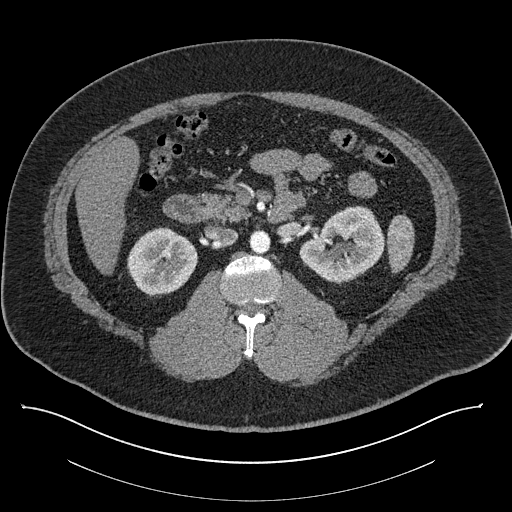
Axial slice 500 of 787 of a contrast-enhanced abdominal CT (slice 1 is the lowest), 140 kVp, kernel I30f; 1.00 mm slice thickness and 0.910 mm pixels.
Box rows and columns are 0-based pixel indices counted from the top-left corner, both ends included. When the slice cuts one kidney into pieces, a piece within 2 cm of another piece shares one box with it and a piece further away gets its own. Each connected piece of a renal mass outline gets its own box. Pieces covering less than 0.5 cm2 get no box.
Two kidney boxes on this slice; by box centre, from the image's left to its right: (1) Right kidney, box rows 227–297, columns 126–198 (outlined area 3,669 px, about 30.4 cm2). (2) Left kidney, box rows 205–283, columns 299–385 (outlined area 4,545 px, about 37.7 cm2). This slice carries no renal mass outline.